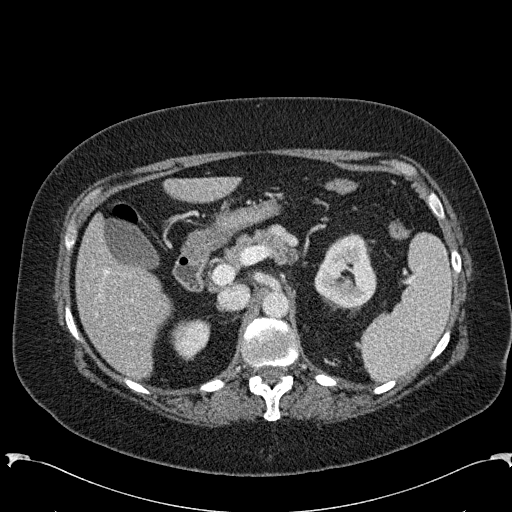
Abdominal CT with intravenous contrast, arterial phase, axial plane, 120 kVp, kernel B31f. Slice 168/285 from the bottom of the scan; thickness 2.00 mm; pixel size 0.762 mm.
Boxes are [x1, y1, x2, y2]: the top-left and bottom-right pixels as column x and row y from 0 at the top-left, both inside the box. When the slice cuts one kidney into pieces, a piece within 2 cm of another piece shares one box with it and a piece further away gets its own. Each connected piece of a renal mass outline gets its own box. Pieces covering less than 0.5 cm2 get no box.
Two kidney boxes on this slice; by box centre, from the image's left to its right: (1) Box [171, 319, 210, 361]: right kidney (outlined area 1,234 px, about 7.2 cm2). (2) Left kidney, box [314, 232, 376, 309] (outlined area 3,438 px, about 19.9 cm2). No renal mass outline on this slice.